Axial slice 306 of 670 of a contrast-enhanced abdominal CT in the arterial phase (slice 1 is the lowest), 120 kVp, kernel I30f; 1.00 mm slice thickness and 0.861 mm pixels.
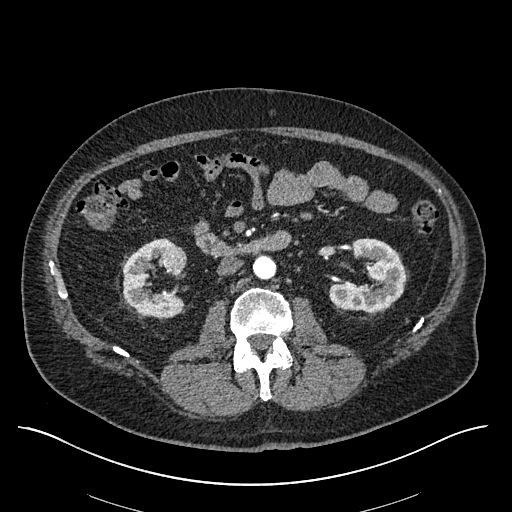
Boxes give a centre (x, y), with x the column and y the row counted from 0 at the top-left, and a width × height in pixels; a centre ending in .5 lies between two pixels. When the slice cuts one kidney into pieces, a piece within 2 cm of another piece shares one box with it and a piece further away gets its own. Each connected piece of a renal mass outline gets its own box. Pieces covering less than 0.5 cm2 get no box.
Two kidney boxes and one renal mass box on this slice; by box centre, from the image's left to its right: (1) Box centre (154, 277.5), 65 × 80 pixels: right kidney (outlined area 3,151 px, about 23.4 cm2). (2) Right renal mass in a box with centre (174, 257), 27 × 27 pixels (outlined area 582 px, about 4.3 cm2). (3) Left kidney in a box with centre (367, 274.5), 79 × 76 pixels (outlined area 3,798 px, about 28.2 cm2).